Abdominal CT with intravenous contrast, axial plane, 120 kVp, kernel STANDARD. Slice 125/186 from the bottom of the scan; thickness 2.50 mm; pixel size 0.850 mm.
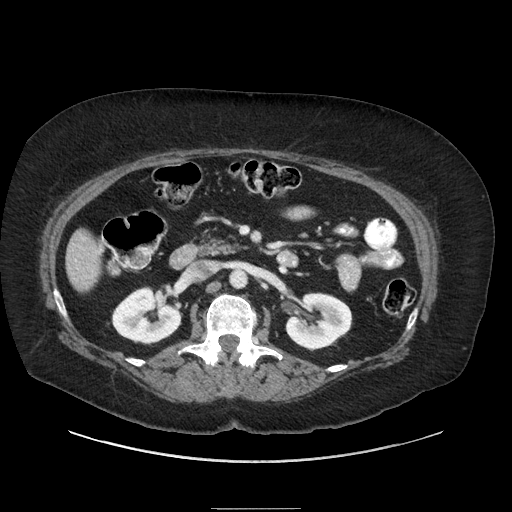
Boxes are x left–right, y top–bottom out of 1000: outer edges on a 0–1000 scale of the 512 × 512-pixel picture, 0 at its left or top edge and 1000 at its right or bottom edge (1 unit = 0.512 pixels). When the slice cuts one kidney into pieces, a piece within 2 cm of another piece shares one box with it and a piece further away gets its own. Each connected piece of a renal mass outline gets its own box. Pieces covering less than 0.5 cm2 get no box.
Two boxes on this slice (two kidney boxes), listed by box centre from the image's left to its right. (1) Box x 217–357, y 559–676 out of 1000: right kidney (outlined area 2,958 px, about 21.4 cm2). (2) Left kidney at x 557–689, y 570–688 out of 1000 (outlined area 2,941 px, about 21.2 cm2). No renal mass is outlined on this slice.